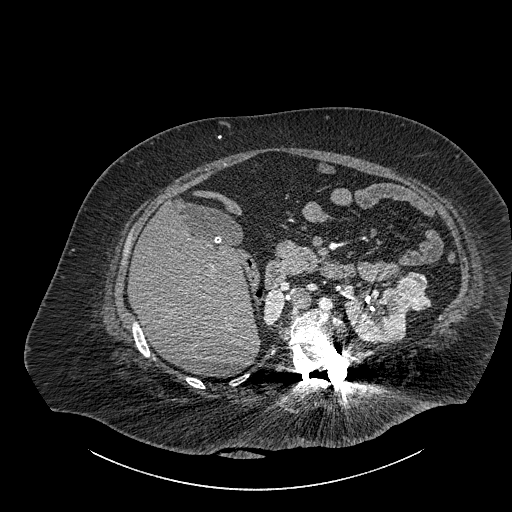
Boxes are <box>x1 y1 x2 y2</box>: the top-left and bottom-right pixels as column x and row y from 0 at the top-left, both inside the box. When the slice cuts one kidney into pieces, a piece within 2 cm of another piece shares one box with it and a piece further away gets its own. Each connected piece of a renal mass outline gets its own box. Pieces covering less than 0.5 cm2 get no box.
Slice 561/834 of a contrast-enhanced abdominal CT, counting up from the lowest; pixel size 0.977 mm, slice thickness 1.00 mm. Boxed on this slice (two kidney boxes and one renal mass box), listed by box centre from the image's left to its right: (1) Right part of the midline-crossing kidney: <box>263 289 284 325</box> (outlined area 595 px, about 5.7 cm2). (2) Left part of the midline-crossing kidney at <box>344 287 408 343</box> (outlined area 2,619 px, about 25.0 cm2). (3) Renal mass: <box>396 272 431 311</box> (outlined area 1,031 px, about 9.8 cm2).
Acquired at 140 kVp and reconstructed with the I30f kernel.